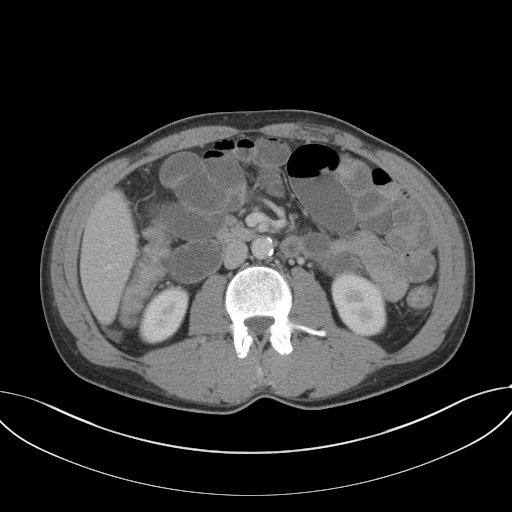
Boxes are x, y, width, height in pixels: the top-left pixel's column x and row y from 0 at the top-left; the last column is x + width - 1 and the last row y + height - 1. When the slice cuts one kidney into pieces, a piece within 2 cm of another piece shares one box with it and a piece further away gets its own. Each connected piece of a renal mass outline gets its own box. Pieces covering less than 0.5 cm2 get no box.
This is axial slice 59 of 102 (slice 1 is the lowest) of an abdominal CT with contrast; each pixel is 0.807 mm and the slice is 5.00 mm thick. Two kidney boxes on this slice; by box centre, from the image's left to its right: (1) Right kidney at x 138, y 287, width 52, height 57 (outlined area 2,121 px, about 13.8 cm2). (2) Box x 331, y 272, width 56, height 65: left kidney (outlined area 2,711 px, about 17.6 cm2). No renal mass is outlined on this slice.
Tube voltage 120 kVp; convolution kernel B41f.